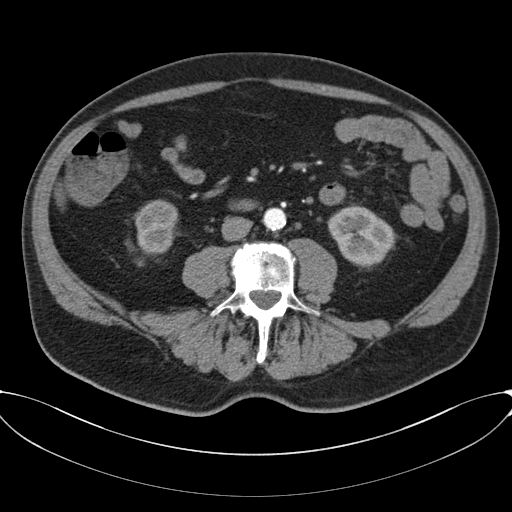
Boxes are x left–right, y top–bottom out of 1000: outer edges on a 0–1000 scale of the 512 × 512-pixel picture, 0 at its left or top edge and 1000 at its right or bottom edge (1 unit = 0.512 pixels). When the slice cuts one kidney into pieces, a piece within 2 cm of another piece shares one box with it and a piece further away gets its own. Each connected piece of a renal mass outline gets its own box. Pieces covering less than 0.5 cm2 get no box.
Contrast-enhanced abdominal CT, axial slice 19 of 80 (counted from the lowest slice); 3.00 mm thick, 0.822 mm per pixel. Boxed on this slice (two kidney boxes), listed by box centre from the image's left to its right: (1) Box x 264–350, y 389–500 out of 1000: right kidney (outlined area 1,897 px, about 12.8 cm2). (2) Box x 639–777, y 398–527 out of 1000: left kidney (outlined area 3,016 px, about 20.4 cm2).
Scan settings: 120 kVp, B30f reconstruction kernel.